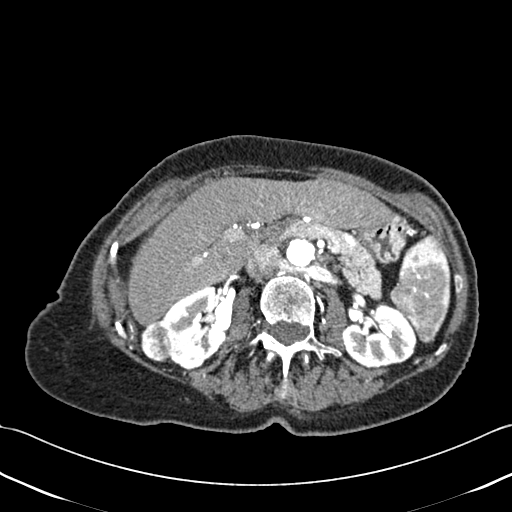
Contrast-enhanced abdominal CT, axial slice 255 of 433 (counted from the lowest slice); tube voltage 120 kVp, convolution kernel B30f; slices 1.00 mm thick, 0.672 mm per pixel.
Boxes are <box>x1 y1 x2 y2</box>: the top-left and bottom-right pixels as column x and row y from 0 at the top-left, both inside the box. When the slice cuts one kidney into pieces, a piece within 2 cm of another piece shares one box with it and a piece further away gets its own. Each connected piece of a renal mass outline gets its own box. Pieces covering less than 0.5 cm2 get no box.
Two kidney boxes and one renal mass box on this slice; by box centre, from the image's left to its right: (1) Right renal mass at <box>140 320 172 361</box> (outlined area 1,105 px, about 5.0 cm2). (2) Right kidney at <box>159 286 227 370</box> (outlined area 3,741 px, about 16.9 cm2). (3) Left kidney: <box>341 303 416 367</box> (outlined area 3,593 px, about 16.2 cm2).